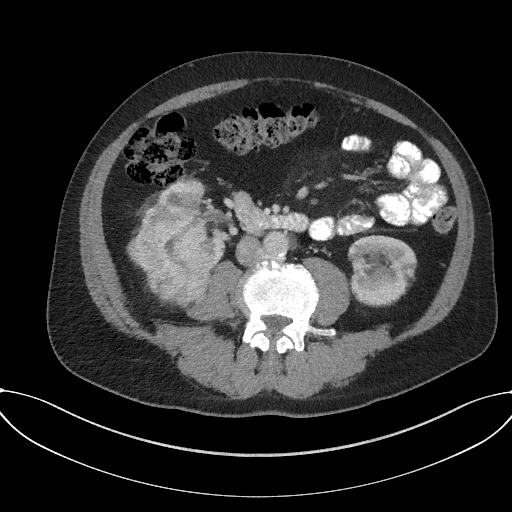
Axial slice 80 of 227 of a contrast-enhanced abdominal CT in the arterial phase (slice 1 is the lowest), 120 kVp, kernel I31f; 3.00 mm slice thickness and 0.816 mm pixels.
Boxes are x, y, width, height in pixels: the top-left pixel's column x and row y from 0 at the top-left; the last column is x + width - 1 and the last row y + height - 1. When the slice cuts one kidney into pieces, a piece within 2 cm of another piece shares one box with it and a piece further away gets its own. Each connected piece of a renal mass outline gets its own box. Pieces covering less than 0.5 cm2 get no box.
Three boxes on this slice (two kidney boxes and one renal mass box), listed by box centre from the image's left to its right. (1) Box x 126, y 203, width 87, height 105: right renal mass (outlined area 6,651 px, about 44.3 cm2). (2) Box x 157, y 179, width 69, height 90: right kidney (outlined area 1,939 px, about 12.9 cm2). (3) Left kidney, box x 348, y 235, width 70, height 72 (outlined area 3,995 px, about 26.6 cm2).